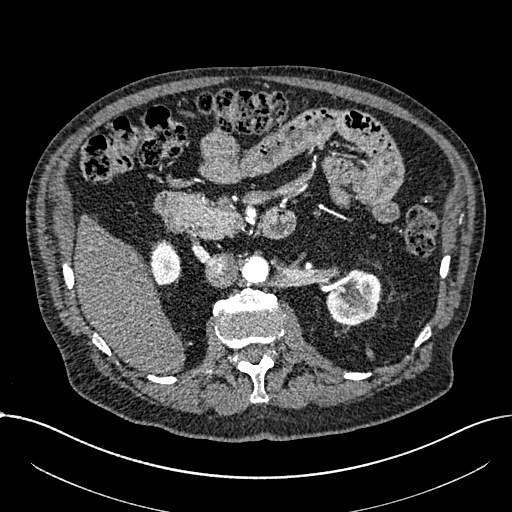
Abdominal CT with intravenous contrast, arterial phase, axial plane, 100 kVp, kernel I30f. Slice 422/1059 from the bottom of the scan; thickness 1.00 mm; pixel size 0.811 mm.
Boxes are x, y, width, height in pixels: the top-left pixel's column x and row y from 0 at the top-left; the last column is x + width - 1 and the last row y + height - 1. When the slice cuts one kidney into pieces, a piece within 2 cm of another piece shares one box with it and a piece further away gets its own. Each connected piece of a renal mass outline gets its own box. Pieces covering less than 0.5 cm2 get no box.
Two boxes on this slice (two kidney boxes), listed by box centre from the image's left to its right. (1) Right part of the midline-crossing kidney, box x 150, y 240, width 31, height 46 (outlined area 1,099 px, about 7.2 cm2). (2) Box x 326, y 269, width 55, height 57: left part of the midline-crossing kidney (outlined area 2,376 px, about 15.6 cm2). No renal mass outline on this slice.